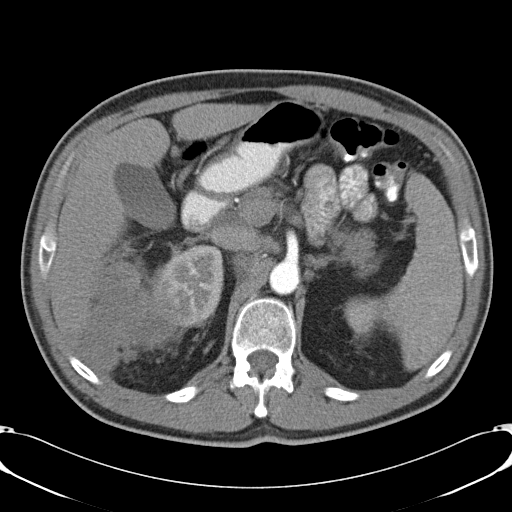
Axial slice 33 of 57 of a contrast-enhanced abdominal CT (slice 1 is the lowest), 120 kVp, kernel B31f; 5.00 mm slice thickness and 0.732 mm pixels.
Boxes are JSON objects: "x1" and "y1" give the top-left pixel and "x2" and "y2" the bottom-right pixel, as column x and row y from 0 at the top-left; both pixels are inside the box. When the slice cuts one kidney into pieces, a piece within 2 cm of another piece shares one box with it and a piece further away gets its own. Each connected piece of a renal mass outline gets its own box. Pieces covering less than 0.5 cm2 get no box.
Two kidney boxes and one renal mass box on this slice; by box centre, from the image's left to its right: (1) Right renal mass, box {"x1": 76, "y1": 261, "x2": 188, "y2": 371} (outlined area 6,721 px, about 36.1 cm2). (2) Right kidney at {"x1": 154, "y1": 244, "x2": 223, "y2": 326} (outlined area 4,415 px, about 23.7 cm2). (3) Left kidney, box {"x1": 343, "y1": 295, "x2": 375, "y2": 335} (outlined area 1,038 px, about 5.6 cm2).